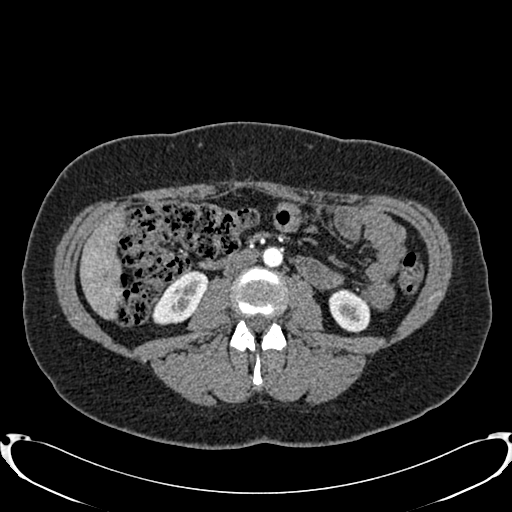
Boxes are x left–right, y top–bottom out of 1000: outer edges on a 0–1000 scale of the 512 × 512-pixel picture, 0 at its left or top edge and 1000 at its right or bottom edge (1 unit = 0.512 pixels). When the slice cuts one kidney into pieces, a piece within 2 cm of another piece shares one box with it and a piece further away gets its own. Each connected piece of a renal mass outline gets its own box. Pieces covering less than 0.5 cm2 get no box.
Slice 391/719 of a contrast-enhanced abdominal CT in the arterial phase, counting up from the lowest; pixel size 0.766 mm, slice thickness 1.00 mm. Boxed on this slice (two kidney boxes), listed by box centre from the image's left to its right: (1) Box x 297–406, y 527–637 out of 1000: right kidney (outlined area 1,988 px, about 11.7 cm2). (2) Box x 641–725, y 564–652 out of 1000: left kidney (outlined area 1,392 px, about 8.2 cm2). No renal mass is outlined on this slice.
Tube voltage 120 kVp; convolution kernel B20f.